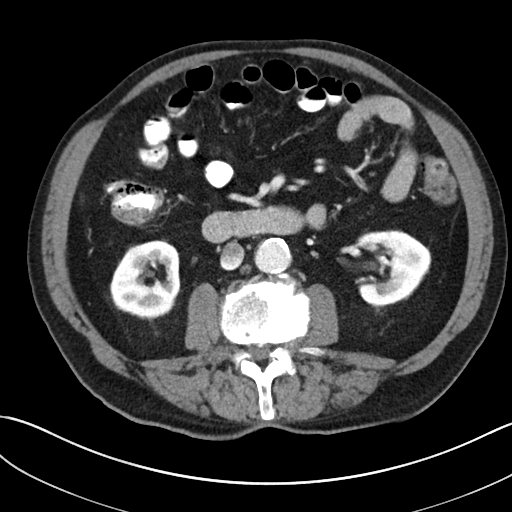
Axial slice 118 of 269 of a contrast-enhanced abdominal CT (slice 1 is the lowest), 100 kVp, kernel I30f; 5.00 mm slice thickness and 0.732 mm pixels.
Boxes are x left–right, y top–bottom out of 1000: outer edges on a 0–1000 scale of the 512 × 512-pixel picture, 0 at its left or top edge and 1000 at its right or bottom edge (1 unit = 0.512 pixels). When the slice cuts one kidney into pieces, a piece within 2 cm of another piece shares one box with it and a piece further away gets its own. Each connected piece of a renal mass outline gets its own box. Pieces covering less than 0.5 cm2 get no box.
Boxed on this slice (two kidney boxes), listed by box centre from the image's left to its right: (1) Right kidney at x 213–354, y 467–625 out of 1000 (outlined area 4,287 px, about 23.0 cm2). (2) Left kidney, box x 693–844, y 449–605 out of 1000 (outlined area 4,355 px, about 23.4 cm2).